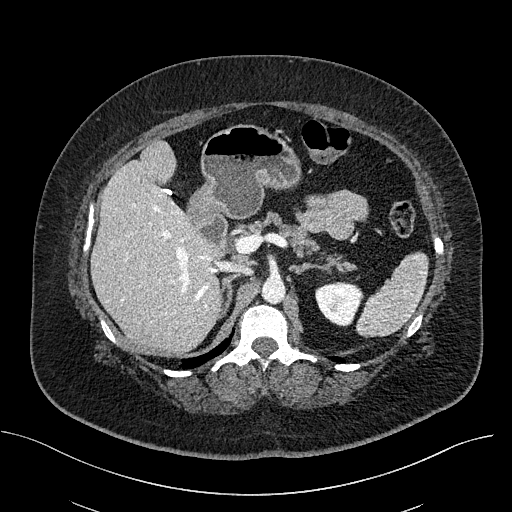
Axial slice 337 of 470 of a contrast-enhanced abdominal CT (slice 1 is the lowest), 100 kVp, kernel I40f; 2.00 mm slice thickness and 0.824 mm pixels.
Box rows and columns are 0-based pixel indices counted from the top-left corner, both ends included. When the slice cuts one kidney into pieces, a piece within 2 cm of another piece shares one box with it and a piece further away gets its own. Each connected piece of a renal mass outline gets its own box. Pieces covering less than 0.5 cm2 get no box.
Left kidney, box rows 282–326, columns 315–361 (outlined area 1,602 px, about 10.9 cm2). No renal mass outline on this slice.